Axial slice 209 of 602 of a contrast-enhanced abdominal CT in the arterial phase (slice 1 is the lowest), 120 kVp, kernel I30f; 1.00 mm slice thickness and 0.799 mm pixels.
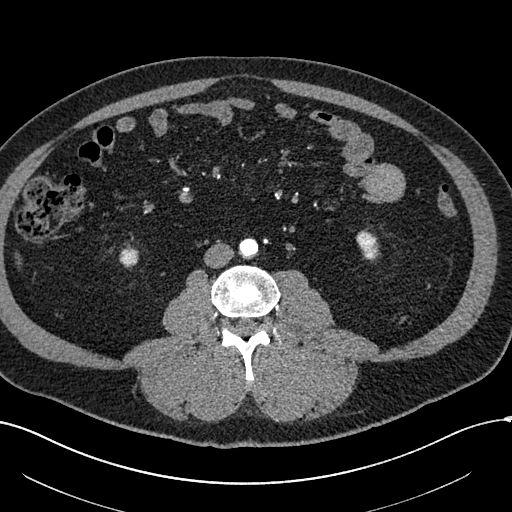
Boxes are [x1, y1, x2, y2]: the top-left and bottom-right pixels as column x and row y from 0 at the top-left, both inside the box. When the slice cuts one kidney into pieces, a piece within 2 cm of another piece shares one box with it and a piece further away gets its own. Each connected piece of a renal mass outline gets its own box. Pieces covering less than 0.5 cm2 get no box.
Boxed on this slice (two kidney boxes), listed by box centre from the image's left to its right: (1) Right kidney at [119, 243, 138, 267] (outlined area 357 px, about 2.3 cm2). (2) Left kidney at [356, 229, 380, 261] (outlined area 534 px, about 3.4 cm2). No renal mass outline on this slice.